One axial slice (297 of 620, counting up from the lowest) of an arterial-phase abdominal CT acquired with 120 kVp, kernel B31f; each pixel is 0.637 mm and the slice is 2.00 mm thick.
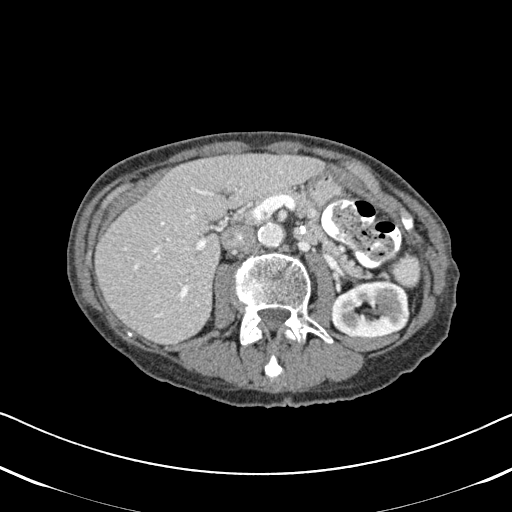
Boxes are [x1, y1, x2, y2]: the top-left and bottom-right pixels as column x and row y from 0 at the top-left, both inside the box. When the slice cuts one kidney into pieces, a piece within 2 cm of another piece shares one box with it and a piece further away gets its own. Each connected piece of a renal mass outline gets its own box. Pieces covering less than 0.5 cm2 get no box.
Left kidney at [330, 279, 409, 337] (outlined area 3,741 px, about 15.2 cm2). No renal mass is outlined on this slice.